One axial slice (311 of 538, counting up from the lowest) of an arterial-phase abdominal CT acquired with 120 kVp, kernel B30f; each pixel is 0.811 mm and the slice is 1.00 mm thick.
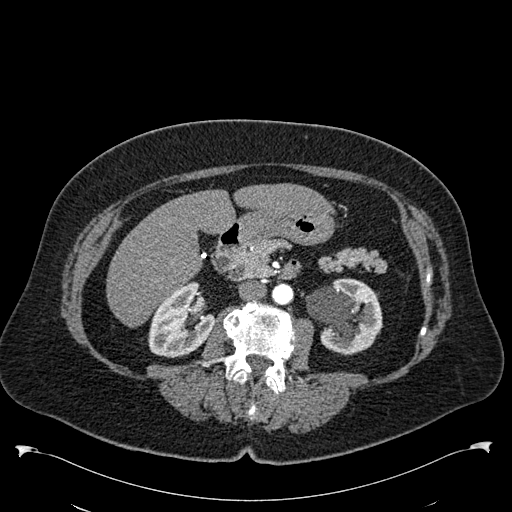
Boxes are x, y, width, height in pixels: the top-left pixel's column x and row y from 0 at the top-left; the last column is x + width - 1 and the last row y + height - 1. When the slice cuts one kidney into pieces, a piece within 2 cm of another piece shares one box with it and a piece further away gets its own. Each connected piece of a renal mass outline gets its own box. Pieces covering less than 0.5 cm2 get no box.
Two boxes on this slice (two kidney boxes), listed by box centre from the image's left to its right. (1) Box x 148, y 281, width 66, height 77: right kidney (outlined area 3,529 px, about 23.2 cm2). (2) Box x 305, y 278, width 78, height 77: left kidney (outlined area 4,260 px, about 28.0 cm2). This slice carries no renal mass outline.